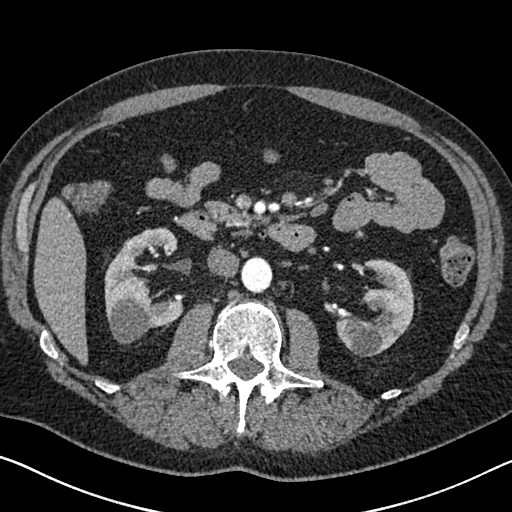
Arterial-phase contrast-enhanced abdominal CT, axial slice 377 of 626 (counted from the lowest slice); tube voltage 120 kVp, convolution kernel I30f; slices 1.00 mm thick, 0.703 mm per pixel.
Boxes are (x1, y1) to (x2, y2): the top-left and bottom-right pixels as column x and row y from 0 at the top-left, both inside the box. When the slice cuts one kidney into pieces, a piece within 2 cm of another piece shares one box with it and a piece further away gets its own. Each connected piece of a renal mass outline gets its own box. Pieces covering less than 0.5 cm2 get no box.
Boxed on this slice (two kidney boxes), listed by box centre from the image's left to its right: (1) Box (104, 227) to (183, 343): right kidney (outlined area 5,824 px, about 28.8 cm2). (2) Box (336, 259) to (414, 356): left kidney (outlined area 4,644 px, about 23.0 cm2). This slice carries no renal mass outline.